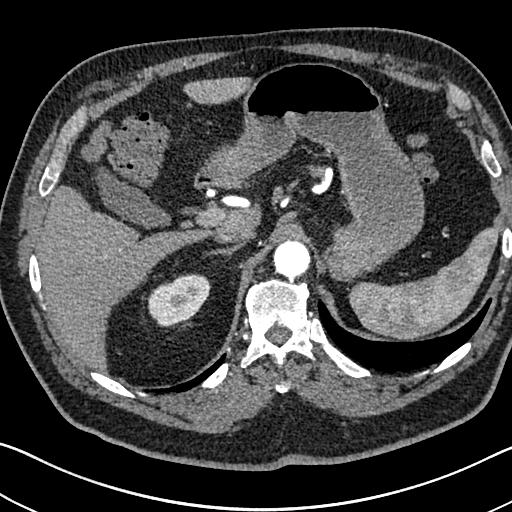
Axial slice 546 of 705 of a contrast-enhanced abdominal CT in the arterial phase (slice 1 is the lowest), 120 kVp, kernel I30f; 1.00 mm slice thickness and 0.703 mm pixels.
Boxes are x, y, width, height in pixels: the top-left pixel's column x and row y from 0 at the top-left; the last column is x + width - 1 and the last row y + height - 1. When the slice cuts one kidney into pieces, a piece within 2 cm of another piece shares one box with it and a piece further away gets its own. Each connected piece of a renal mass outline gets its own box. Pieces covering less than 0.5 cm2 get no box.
Right kidney, box x 146, y 274, width 65, height 53 (outlined area 2,390 px, about 11.8 cm2). No renal mass outline on this slice.